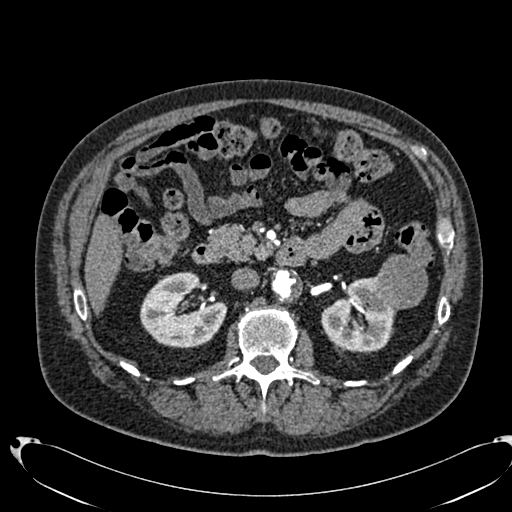
Abdominal CT with intravenous contrast, arterial phase, axial plane, 120 kVp, kernel B20f. Slice 426/553 from the bottom of the scan; thickness 1.00 mm; pixel size 0.773 mm.
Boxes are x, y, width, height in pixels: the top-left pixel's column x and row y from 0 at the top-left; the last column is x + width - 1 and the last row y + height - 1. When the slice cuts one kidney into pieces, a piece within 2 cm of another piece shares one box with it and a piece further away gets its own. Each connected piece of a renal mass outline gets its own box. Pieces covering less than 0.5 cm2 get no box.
Three boxes on this slice (two kidney boxes and one renal mass box), listed by box centre from the image's left to its right. (1) Right kidney, box x 140, y 271, width 88, height 78 (outlined area 4,755 px, about 28.4 cm2). (2) Left kidney, box x 321, y 276, width 76, height 77 (outlined area 3,620 px, about 21.7 cm2). (3) Left renal mass at x 371, y 254, width 57, height 56 (outlined area 2,456 px, about 14.7 cm2).